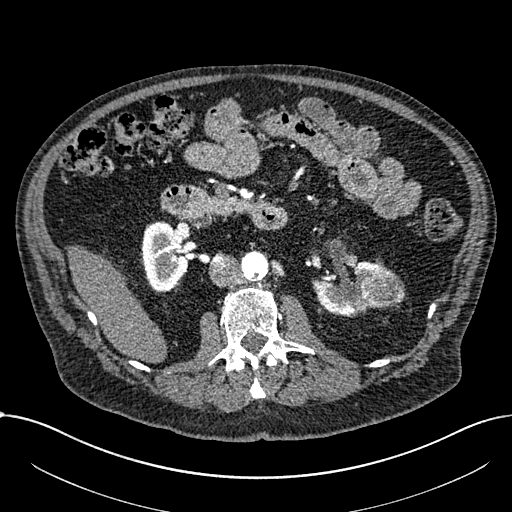
Arterial-phase contrast-enhanced abdominal CT, axial slice 389 of 1059 (counted from the lowest slice); tube voltage 100 kVp, convolution kernel I30f; slices 1.00 mm thick, 0.811 mm per pixel.
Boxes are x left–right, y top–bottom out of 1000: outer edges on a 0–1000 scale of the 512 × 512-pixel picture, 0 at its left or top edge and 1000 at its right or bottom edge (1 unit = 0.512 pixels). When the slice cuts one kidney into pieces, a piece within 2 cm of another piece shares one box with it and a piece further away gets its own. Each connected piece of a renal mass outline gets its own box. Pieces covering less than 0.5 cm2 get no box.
Two kidney boxes and one renal mass box on this slice; by box centre, from the image's left to its right: (1) Right part of the midline-crossing kidney at x 273–371, y 432–570 out of 1000 (outlined area 2,537 px, about 16.7 cm2). (2) Box x 613–760, y 508–621 out of 1000: left part of the midline-crossing kidney (outlined area 2,203 px, about 14.5 cm2). (3) Box x 703–793, y 523–604 out of 1000: renal mass (outlined area 1,409 px, about 9.3 cm2).